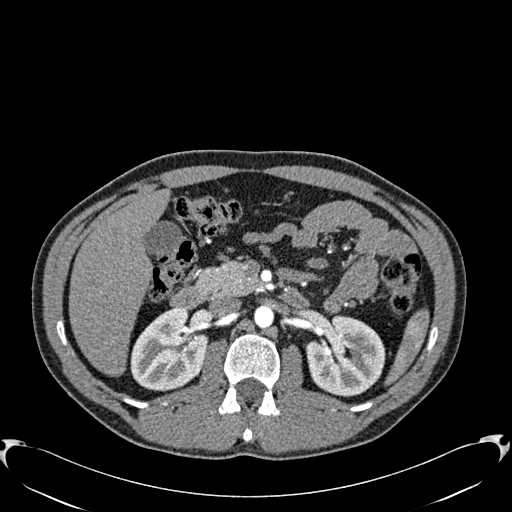
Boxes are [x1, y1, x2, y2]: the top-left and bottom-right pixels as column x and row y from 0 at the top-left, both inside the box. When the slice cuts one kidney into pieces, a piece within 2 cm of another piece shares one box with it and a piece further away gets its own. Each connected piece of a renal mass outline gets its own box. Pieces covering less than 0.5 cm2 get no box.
This is axial slice 371 of 512 (slice 1 is the lowest) of an arterial-phase abdominal CT with contrast; each pixel is 0.771 mm and the slice is 1.00 mm thick. Two boxes on this slice (two kidney boxes), listed by box centre from the image's left to its right. (1) Right kidney at [130, 307, 207, 391] (outlined area 4,774 px, about 28.4 cm2). (2) Box [306, 316, 385, 396]: left kidney (outlined area 4,899 px, about 29.2 cm2). No renal mass is outlined on this slice.
Acquired at 120 kVp and reconstructed with the B30f kernel.